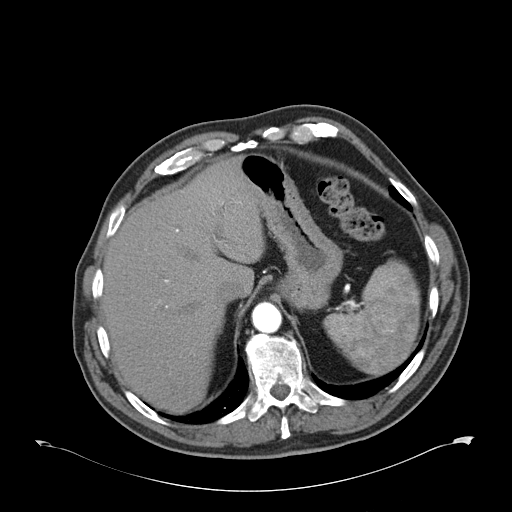
One axial slice (48 of 59, counting up from the lowest) of an arterial-phase abdominal CT acquired with 120 kVp, kernel B30f; each pixel is 0.871 mm and the slice is 5.00 mm thick.
Neither a kidney nor a renal mass is outlined here. Only kidneys and renal masses are outlined anywhere in this scan; other structures are never outlined.